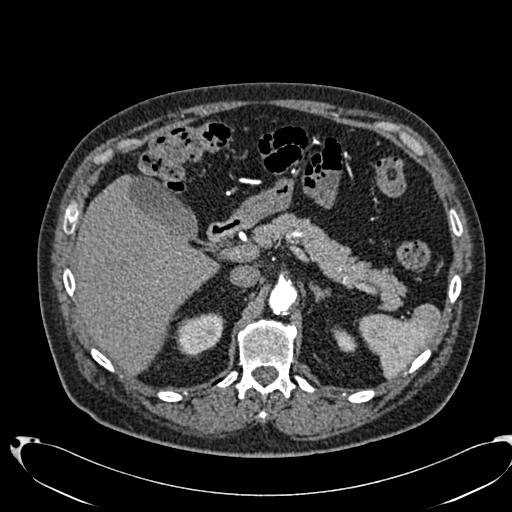
Axial slice 490 of 553 of a contrast-enhanced abdominal CT in the arterial phase (slice 1 is the lowest), 120 kVp, kernel B20f; 1.00 mm slice thickness and 0.773 mm pixels.
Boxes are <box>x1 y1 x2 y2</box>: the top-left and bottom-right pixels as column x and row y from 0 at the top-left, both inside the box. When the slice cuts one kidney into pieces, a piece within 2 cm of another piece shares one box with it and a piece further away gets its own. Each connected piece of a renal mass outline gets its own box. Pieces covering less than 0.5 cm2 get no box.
Two kidney boxes on this slice; by box centre, from the image's left to its right: (1) At <box>175 313 224 357</box>: right kidney (outlined area 1,583 px, about 9.5 cm2). (2) At <box>332 327 357 352</box>: left kidney (outlined area 393 px, about 2.4 cm2). No renal mass is outlined on this slice.